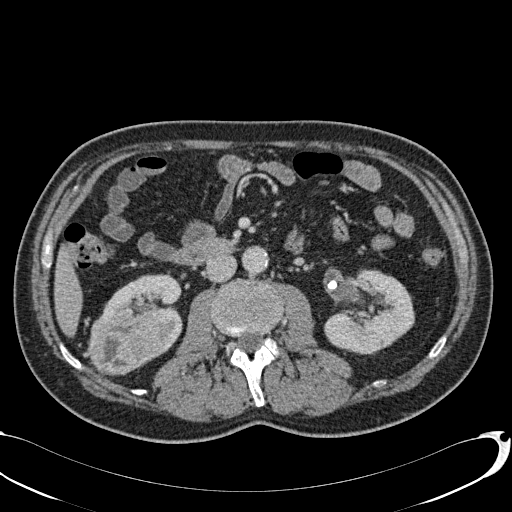
One axial slice (33 of 113, counting up from the lowest) of a contrast-enhanced abdominal CT acquired with 120 kVp, kernel B31f; each pixel is 0.742 mm and the slice is 2.00 mm thick.
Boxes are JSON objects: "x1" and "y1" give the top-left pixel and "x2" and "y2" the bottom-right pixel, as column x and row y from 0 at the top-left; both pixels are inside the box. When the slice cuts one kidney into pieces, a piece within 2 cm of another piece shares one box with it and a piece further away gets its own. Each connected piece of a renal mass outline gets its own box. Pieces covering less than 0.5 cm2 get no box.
Three boxes on this slice (two kidney boxes and one renal mass box), listed by box centre from the image's left to its right. (1) Right renal mass at {"x1": 87, "y1": 310, "x2": 162, "y2": 375} (outlined area 3,896 px, about 21.5 cm2). (2) Right kidney, box {"x1": 102, "y1": 273, "x2": 182, "y2": 357} (outlined area 3,090 px, about 17.0 cm2). (3) Left kidney, box {"x1": 323, "y1": 269, "x2": 414, "y2": 354} (outlined area 5,440 px, about 30.0 cm2).